One axial slice (12 of 113, counting up from the lowest) of a contrast-enhanced abdominal CT acquired with 120 kVp, kernel B31f; each pixel is 0.742 mm and the slice is 2.00 mm thick.
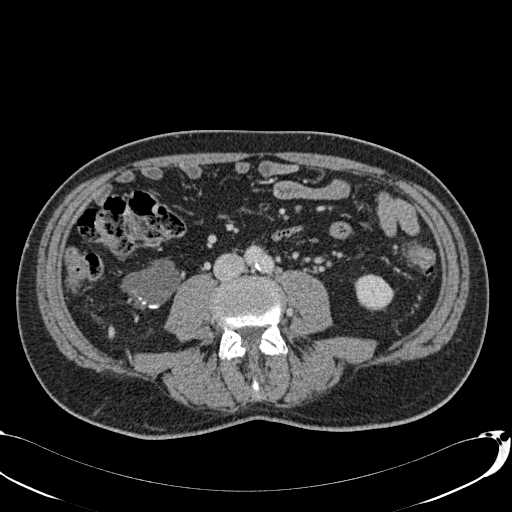
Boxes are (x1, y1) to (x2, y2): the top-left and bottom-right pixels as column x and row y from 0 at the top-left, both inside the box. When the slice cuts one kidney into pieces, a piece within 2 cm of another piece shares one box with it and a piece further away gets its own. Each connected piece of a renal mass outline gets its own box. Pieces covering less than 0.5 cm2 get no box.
Two boxes on this slice (two kidney boxes), listed by box centre from the image's left to its right. (1) Right kidney, box (120, 258) to (180, 309) (outlined area 2,041 px, about 11.2 cm2). (2) Left kidney, box (354, 274) to (394, 311) (outlined area 1,130 px, about 6.2 cm2). No renal mass outline on this slice.